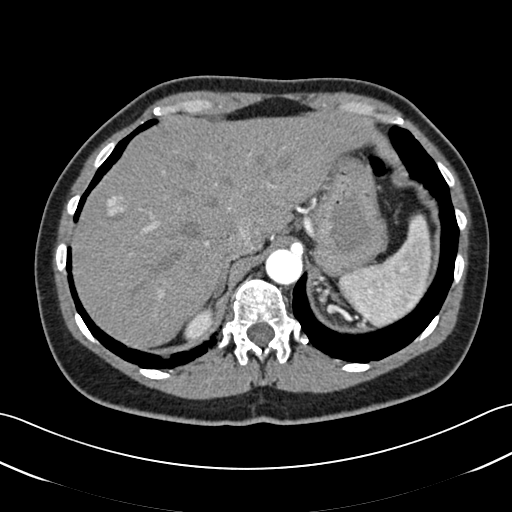
Axial slice 45 of 52 of a contrast-enhanced abdominal CT in the arterial phase (slice 1 is the lowest), 120 kVp, kernel B30f; 3.00 mm slice thickness and 0.678 mm pixels.
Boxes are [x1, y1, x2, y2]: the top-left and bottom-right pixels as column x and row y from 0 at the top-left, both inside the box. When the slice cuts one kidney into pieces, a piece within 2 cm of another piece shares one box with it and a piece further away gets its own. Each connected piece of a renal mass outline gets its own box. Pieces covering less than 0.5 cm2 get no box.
Right kidney at [183, 304, 215, 340] (outlined area 709 px, about 3.3 cm2). No renal mass outline on this slice.